Axial slice 60 of 101 of a contrast-enhanced abdominal CT (slice 1 is the lowest), 100 kVp, kernel I40f; 5.00 mm slice thickness and 0.879 mm pixels.
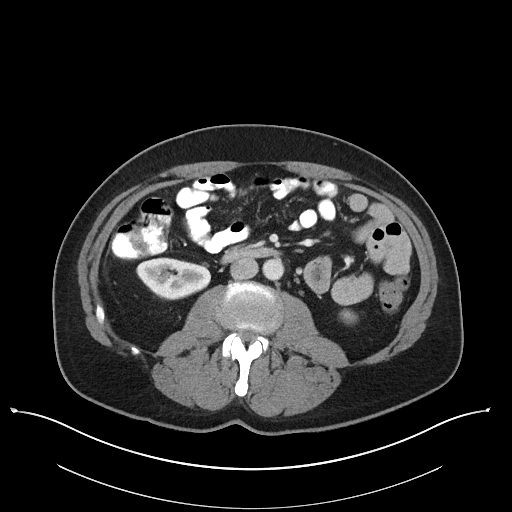
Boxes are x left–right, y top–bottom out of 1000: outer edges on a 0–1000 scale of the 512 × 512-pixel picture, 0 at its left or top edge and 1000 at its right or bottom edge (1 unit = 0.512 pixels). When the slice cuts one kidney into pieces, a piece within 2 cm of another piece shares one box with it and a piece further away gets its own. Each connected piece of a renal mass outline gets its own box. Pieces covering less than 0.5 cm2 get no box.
Two boxes on this slice (two kidney boxes), listed by box centre from the image's left to its right. (1) Right kidney at x 266–414, y 502–588 out of 1000 (outlined area 2,378 px, about 18.4 cm2). (2) Box x 662–699, y 602–635 out of 1000: left kidney (outlined area 223 px, about 1.7 cm2). This slice carries no renal mass outline.